Abdominal CT with intravenous contrast, arterial phase, axial plane, 100 kVp, kernel I41f. Slice 93/129 from the bottom of the scan; thickness 3.00 mm; pixel size 0.779 mm.
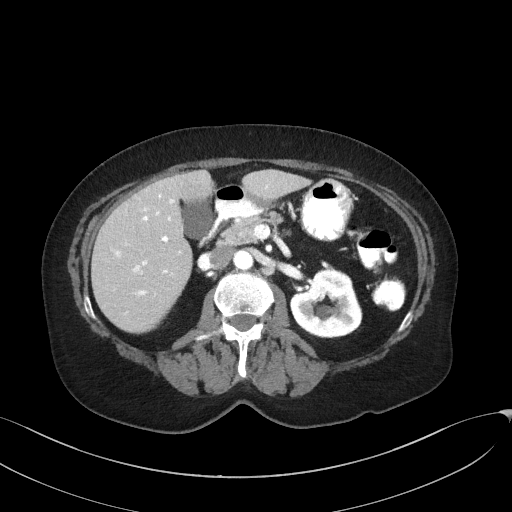
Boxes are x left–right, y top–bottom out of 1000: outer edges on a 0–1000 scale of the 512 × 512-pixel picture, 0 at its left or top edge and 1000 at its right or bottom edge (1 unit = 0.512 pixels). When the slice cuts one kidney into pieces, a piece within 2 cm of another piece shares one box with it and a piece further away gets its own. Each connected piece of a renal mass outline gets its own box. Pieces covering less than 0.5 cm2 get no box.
Left kidney, box x 564–709, y 521–662 out of 1000 (outlined area 3,887 px, about 23.6 cm2). This slice carries no renal mass outline.